Abdominal CT with intravenous contrast, arterial phase, axial plane, 120 kVp, kernel B20f. Slice 523/634 from the bottom of the scan; thickness 1.00 mm; pixel size 0.838 mm.
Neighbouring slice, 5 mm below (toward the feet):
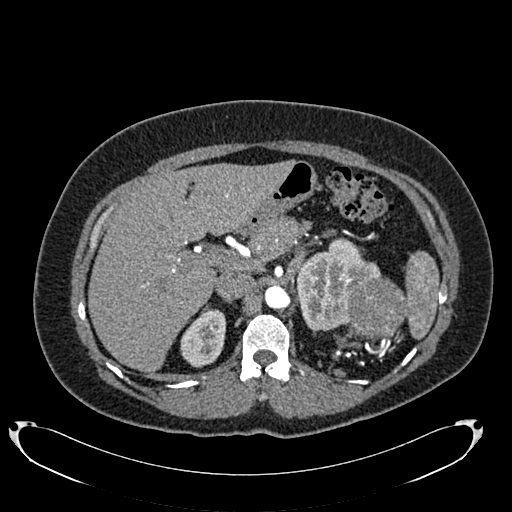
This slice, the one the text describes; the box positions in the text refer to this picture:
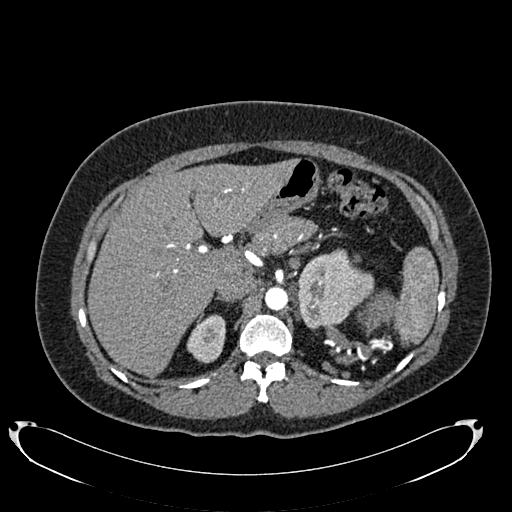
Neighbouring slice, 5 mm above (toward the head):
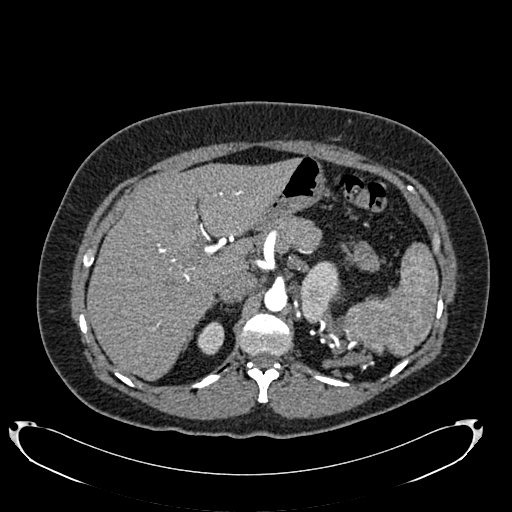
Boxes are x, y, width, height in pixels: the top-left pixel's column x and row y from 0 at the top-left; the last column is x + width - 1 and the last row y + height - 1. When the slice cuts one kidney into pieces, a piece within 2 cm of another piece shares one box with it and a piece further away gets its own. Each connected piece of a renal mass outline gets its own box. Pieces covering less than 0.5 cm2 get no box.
Boxed on this slice (two kidney boxes and one renal mass box), listed by box centre from the image's left to its right: (1) Box x 186, y 314, width 40, height 50: right kidney (outlined area 1,420 px, about 10.0 cm2). (2) Left kidney, box x 298, y 248, width 77, height 81 (outlined area 4,272 px, about 30.0 cm2). (3) Left renal mass, box x 357, y 290, width 39, height 47 (outlined area 1,016 px, about 7.1 cm2). This slice is near the end of the left renal mass toward the head, so the slices 5 mm below and 5 mm above it are shown as well; the boxes refer to this slice only.